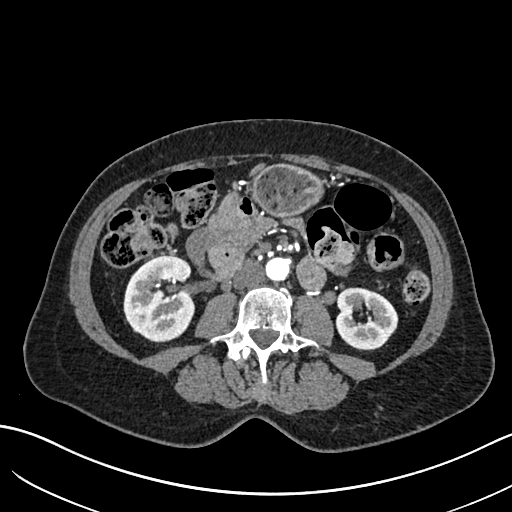
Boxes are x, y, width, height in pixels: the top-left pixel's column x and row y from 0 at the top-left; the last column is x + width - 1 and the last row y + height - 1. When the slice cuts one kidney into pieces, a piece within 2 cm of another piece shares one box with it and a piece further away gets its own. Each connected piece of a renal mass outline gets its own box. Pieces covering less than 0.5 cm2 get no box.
This is axial slice 318 of 683 (slice 1 is the lowest) of an arterial-phase abdominal CT with contrast; each pixel is 0.738 mm and the slice is 1.00 mm thick. Two kidney boxes on this slice; by box centre, from the image's left to its right: (1) Box x 123, y 255, width 72, height 88: right kidney (outlined area 4,933 px, about 26.9 cm2). (2) Left kidney at x 335, y 287, width 64, height 64 (outlined area 3,018 px, about 16.4 cm2). No renal mass is outlined on this slice.
Scan settings: 120 kVp, I30f reconstruction kernel.